One axial slice (27 of 77, counting up from the lowest) of an arterial-phase abdominal CT acquired with 100 kVp, kernel B41f; each pixel is 0.809 mm and the slice is 3.00 mm thick.
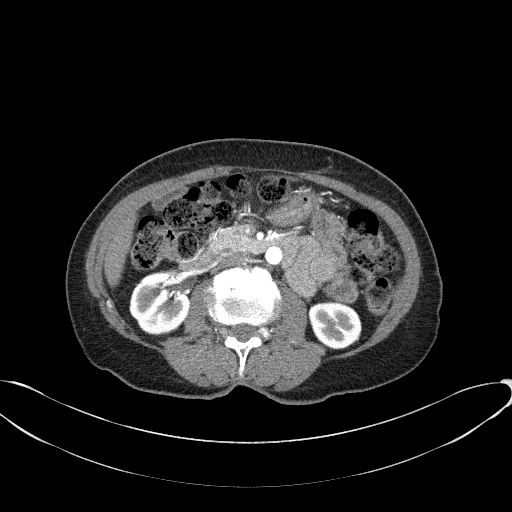
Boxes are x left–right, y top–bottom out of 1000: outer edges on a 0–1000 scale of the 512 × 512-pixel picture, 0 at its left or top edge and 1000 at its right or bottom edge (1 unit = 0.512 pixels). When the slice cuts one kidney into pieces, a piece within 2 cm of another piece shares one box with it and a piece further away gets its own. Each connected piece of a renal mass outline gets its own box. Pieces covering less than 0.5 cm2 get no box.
Two boxes on this slice (two kidney boxes), listed by box centre from the image's left to its right. (1) Box x 252–371, y 531–656 out of 1000: right kidney (outlined area 2,948 px, about 19.3 cm2). (2) Box x 602–707, y 588–684 out of 1000: left kidney (outlined area 2,050 px, about 13.4 cm2). No renal mass is outlined on this slice.